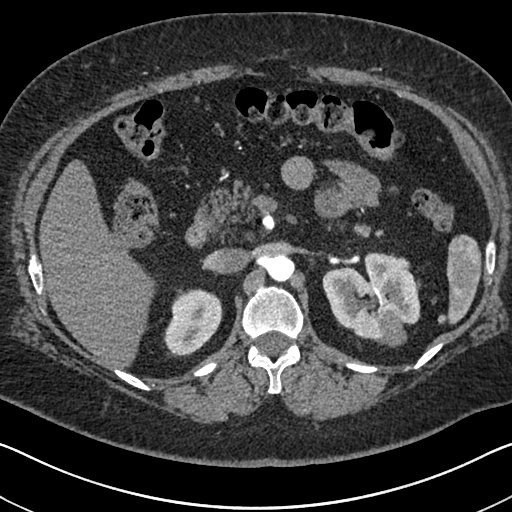
Abdominal CT with intravenous contrast, arterial phase, axial plane, 140 kVp, kernel I30f. Slice 450/591 from the bottom of the scan; thickness 1.00 mm; pixel size 0.703 mm.
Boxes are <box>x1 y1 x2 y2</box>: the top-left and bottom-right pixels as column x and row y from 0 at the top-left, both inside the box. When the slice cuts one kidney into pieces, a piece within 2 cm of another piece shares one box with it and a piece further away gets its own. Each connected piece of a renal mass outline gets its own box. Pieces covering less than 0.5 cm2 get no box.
Three boxes on this slice (two kidney boxes and one renal mass box), listed by box centre from the image's left to its right. (1) Right kidney at <box>163 288 222 356</box> (outlined area 2,948 px, about 14.6 cm2). (2) At <box>322 251 420 341</box>: left kidney (outlined area 5,865 px, about 29.0 cm2). (3) Left renal mass: <box>378 310 407 346</box> (outlined area 813 px, about 4.0 cm2).